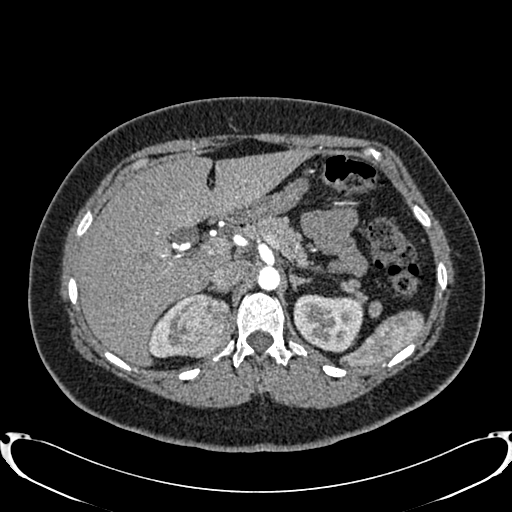
One axial slice (568 of 719, counting up from the lowest) of an arterial-phase abdominal CT acquired with 120 kVp, kernel B20f; each pixel is 0.766 mm and the slice is 1.00 mm thick.
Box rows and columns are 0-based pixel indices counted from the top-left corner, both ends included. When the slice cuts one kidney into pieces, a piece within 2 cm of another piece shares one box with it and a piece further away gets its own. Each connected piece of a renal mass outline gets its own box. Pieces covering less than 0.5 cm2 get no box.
Two kidney boxes and one renal mass box on this slice; by box centre, from the image's left to its right: (1) Right kidney, box rows 293–358, columns 147–204 (outlined area 1,036 px, about 6.1 cm2). (2) Box rows 294–358, columns 167–232: right renal mass (outlined area 3,098 px, about 18.2 cm2). (3) Left kidney, box rows 294–351, columns 293–363 (outlined area 3,264 px, about 19.1 cm2).